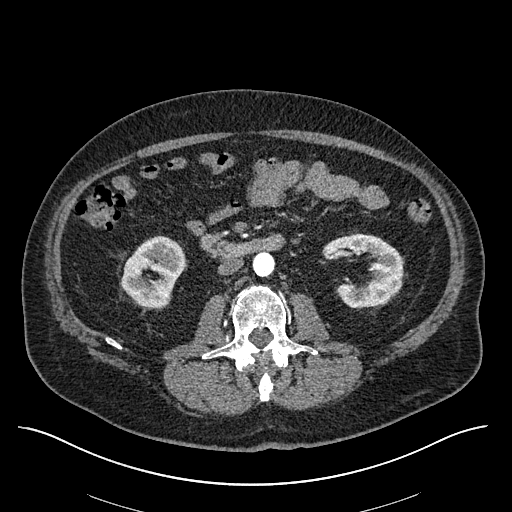
One axial slice (289 of 670, counting up from the lowest) of an arterial-phase abdominal CT acquired with 120 kVp, kernel I30f; each pixel is 0.861 mm and the slice is 1.00 mm thick.
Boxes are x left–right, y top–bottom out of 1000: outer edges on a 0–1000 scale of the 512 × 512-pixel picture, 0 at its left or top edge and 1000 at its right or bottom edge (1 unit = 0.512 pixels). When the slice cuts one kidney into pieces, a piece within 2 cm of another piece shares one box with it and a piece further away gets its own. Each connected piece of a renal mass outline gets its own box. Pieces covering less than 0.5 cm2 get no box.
Two kidney boxes on this slice; by box centre, from the image's left to its right: (1) Right kidney, box x 236–365, y 459–605 out of 1000 (outlined area 3,344 px, about 24.8 cm2). (2) Left kidney, box x 627–789, y 455–604 out of 1000 (outlined area 3,789 px, about 28.1 cm2).